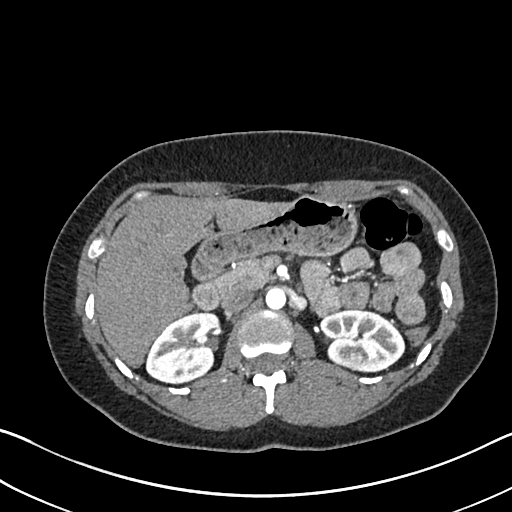
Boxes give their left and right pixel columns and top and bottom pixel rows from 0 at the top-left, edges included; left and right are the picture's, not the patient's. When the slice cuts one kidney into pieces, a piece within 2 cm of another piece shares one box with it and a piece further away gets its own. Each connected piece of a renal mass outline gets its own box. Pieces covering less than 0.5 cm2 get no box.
Slice 438/612 of a contrast-enhanced abdominal CT in the arterial phase, counting up from the lowest; pixel size 0.703 mm, slice thickness 1.00 mm. Boxed on this slice (two kidney boxes and one renal mass box), listed by box centre from the image's left to its right: (1) Box with left 145, top 312, right 221, bottom 384: right kidney (outlined area 4,016 px, about 19.9 cm2). (2) Left renal mass, the box with left 344, top 351, right 367, bottom 371 (outlined area 389 px, about 1.9 cm2). (3) Left kidney, the box with left 317, top 308, right 405, bottom 371 (outlined area 3,814 px, about 18.9 cm2).
Acquired at 120 kVp and reconstructed with the I30f kernel.